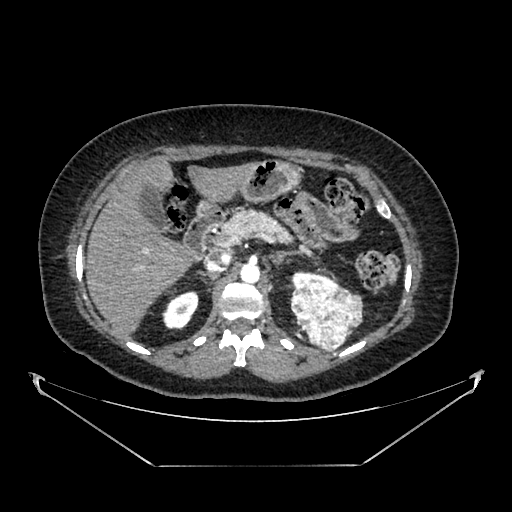
One axial slice (262 of 383, counting up from the lowest) of an arterial-phase abdominal CT acquired with 100 kVp, kernel SOFT; each pixel is 0.898 mm and the slice is 1.25 mm thick.
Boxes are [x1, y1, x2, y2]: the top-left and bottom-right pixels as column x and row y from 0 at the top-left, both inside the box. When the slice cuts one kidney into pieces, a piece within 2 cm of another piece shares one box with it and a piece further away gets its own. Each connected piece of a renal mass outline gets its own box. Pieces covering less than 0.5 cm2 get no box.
Two kidney boxes and one renal mass box on this slice; by box centre, from the image's left to its right: (1) Box [161, 291, 198, 329]: right kidney (outlined area 1,053 px, about 8.5 cm2). (2) Box [291, 271, 339, 288]: left kidney (outlined area 389 px, about 3.1 cm2). (3) Left renal mass at [290, 279, 363, 351] (outlined area 3,796 px, about 30.6 cm2).